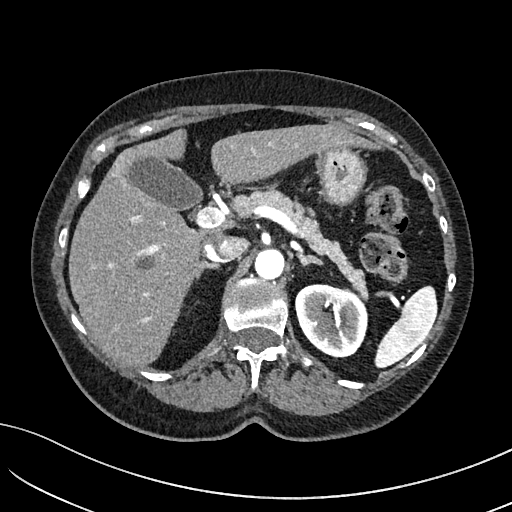
Arterial-phase contrast-enhanced abdominal CT, axial slice 106 of 234 (counted from the lowest slice); tube voltage 100 kVp, convolution kernel I40f; slices 2.00 mm thick, 0.699 mm per pixel.
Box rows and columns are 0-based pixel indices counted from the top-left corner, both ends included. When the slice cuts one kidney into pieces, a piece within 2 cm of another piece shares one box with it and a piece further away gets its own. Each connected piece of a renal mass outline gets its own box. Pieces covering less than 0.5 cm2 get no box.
Box rows 284–358, columns 295–368: left kidney (outlined area 4,185 px, about 20.5 cm2). No renal mass is outlined on this slice.